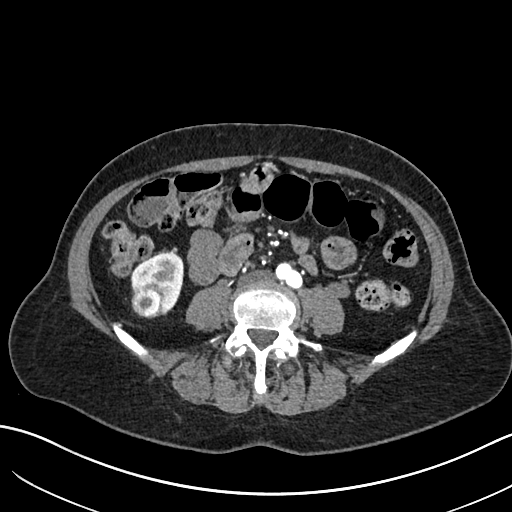
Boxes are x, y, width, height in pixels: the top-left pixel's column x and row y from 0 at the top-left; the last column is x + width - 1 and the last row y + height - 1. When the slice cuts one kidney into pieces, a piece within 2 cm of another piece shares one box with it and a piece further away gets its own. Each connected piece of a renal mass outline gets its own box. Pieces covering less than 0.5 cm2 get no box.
Arterial-phase contrast-enhanced abdominal CT, axial slice 266 of 683 (counted from the lowest slice); 1.00 mm thick, 0.738 mm per pixel. One kidney box and one renal mass box on this slice; by box centre, from the image's left to its right: (1) Right renal mass at x 131, y 283, width 33, height 35 (outlined area 978 px, about 5.3 cm2). (2) Box x 130, y 251, width 54, height 64: right kidney (outlined area 1,866 px, about 10.2 cm2).
Acquired at 120 kVp and reconstructed with the I30f kernel.